Axial slice 158 of 285 of a contrast-enhanced abdominal CT in the arterial phase (slice 1 is the lowest), 120 kVp, kernel B31f; 2.00 mm slice thickness and 0.762 mm pixels.
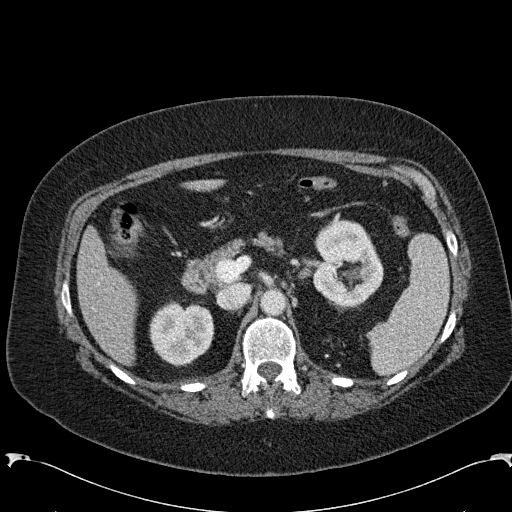
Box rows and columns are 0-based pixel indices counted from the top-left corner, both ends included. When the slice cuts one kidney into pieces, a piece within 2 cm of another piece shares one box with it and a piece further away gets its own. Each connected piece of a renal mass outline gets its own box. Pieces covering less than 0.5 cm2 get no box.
Boxed on this slice (two kidney boxes), listed by box centre from the image's left to its right: (1) Box rows 300–366, columns 149–214: right kidney (outlined area 3,304 px, about 19.2 cm2). (2) Left kidney, box rows 219–306, columns 311–383 (outlined area 4,774 px, about 27.7 cm2). No renal mass is outlined on this slice.